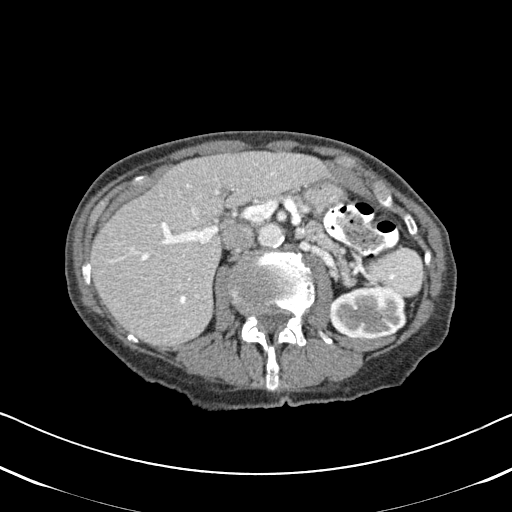
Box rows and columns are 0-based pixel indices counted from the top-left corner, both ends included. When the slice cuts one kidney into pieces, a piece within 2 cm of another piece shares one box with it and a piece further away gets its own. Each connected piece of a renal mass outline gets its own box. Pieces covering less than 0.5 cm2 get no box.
This is axial slice 303 of 620 (slice 1 is the lowest) of an arterial-phase abdominal CT with contrast; each pixel is 0.637 mm and the slice is 2.00 mm thick. Left kidney, box rows 286–339, columns 329–406 (outlined area 3,435 px, about 13.9 cm2). No renal mass outline on this slice.
Acquired at 120 kVp and reconstructed with the B31f kernel.